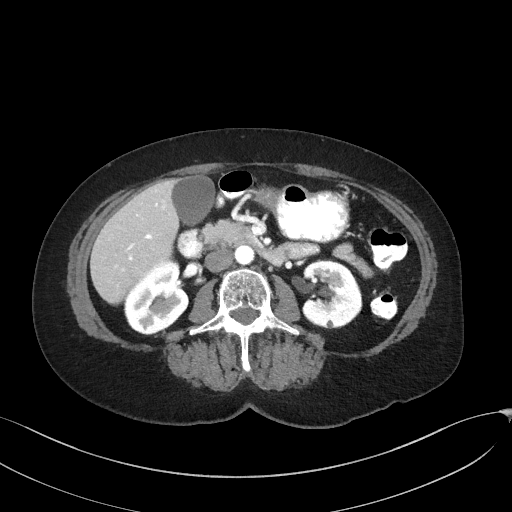
One axial slice (85 of 129, counting up from the lowest) of an arterial-phase abdominal CT acquired with 100 kVp, kernel I41f; each pixel is 0.779 mm and the slice is 3.00 mm thick.
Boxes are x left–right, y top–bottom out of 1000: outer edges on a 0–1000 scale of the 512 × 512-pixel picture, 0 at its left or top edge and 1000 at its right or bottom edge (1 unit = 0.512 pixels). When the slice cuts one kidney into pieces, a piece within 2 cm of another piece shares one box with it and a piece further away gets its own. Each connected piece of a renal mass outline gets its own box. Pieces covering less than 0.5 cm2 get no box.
Boxed on this slice (two kidney boxes), listed by box centre from the image's left to its right: (1) Right kidney, box x 240–369, y 512–656 out of 1000 (outlined area 3,278 px, about 19.9 cm2). (2) Left kidney at x 588–709, y 506–643 out of 1000 (outlined area 3,415 px, about 20.7 cm2). This slice carries no renal mass outline.